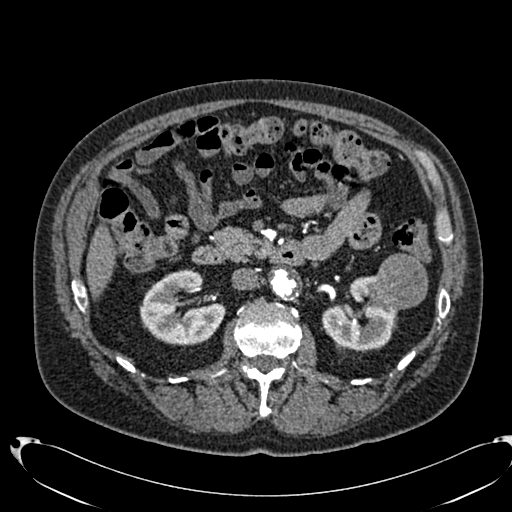
Abdominal CT with intravenous contrast, arterial phase, axial plane, 120 kVp, kernel B20f. Slice 418/553 from the bottom of the scan; thickness 1.00 mm; pixel size 0.773 mm.
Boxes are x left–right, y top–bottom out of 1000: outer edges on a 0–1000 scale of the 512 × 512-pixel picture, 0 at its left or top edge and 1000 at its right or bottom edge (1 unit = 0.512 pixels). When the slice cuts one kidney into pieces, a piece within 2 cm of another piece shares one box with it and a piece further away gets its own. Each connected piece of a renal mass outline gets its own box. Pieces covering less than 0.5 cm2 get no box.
Three boxes on this slice (two kidney boxes and one renal mass box), listed by box centre from the image's left to its right. (1) Right kidney, box x 271–443, y 525–676 out of 1000 (outlined area 4,494 px, about 26.9 cm2). (2) Box x 629–779, y 537–686 out of 1000: left kidney (outlined area 3,409 px, about 20.4 cm2). (3) Box x 730–838, y 494–605 out of 1000: left renal mass (outlined area 2,452 px, about 14.7 cm2).